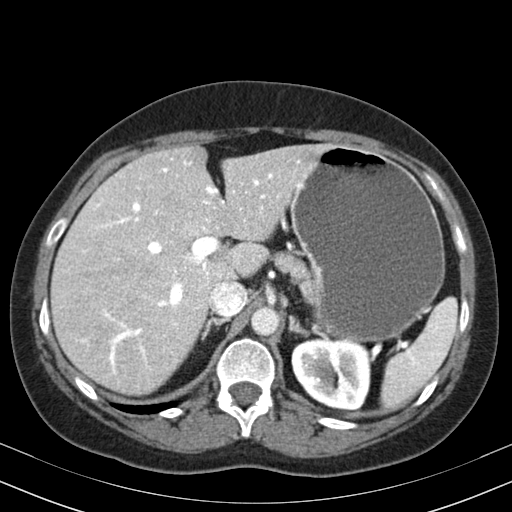
Abdominal CT with intravenous contrast, arterial phase, axial plane, 130 kVp, kernel B30s. Slice 132/164 from the bottom of the scan; thickness 3.00 mm; pixel size 0.664 mm.
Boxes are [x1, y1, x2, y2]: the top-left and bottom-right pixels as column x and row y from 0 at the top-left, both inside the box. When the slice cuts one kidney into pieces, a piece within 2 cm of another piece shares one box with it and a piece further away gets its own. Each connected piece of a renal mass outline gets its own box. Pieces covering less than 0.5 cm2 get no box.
Left kidney at [291, 338, 369, 410] (outlined area 4,662 px, about 20.6 cm2). No renal mass outline on this slice.